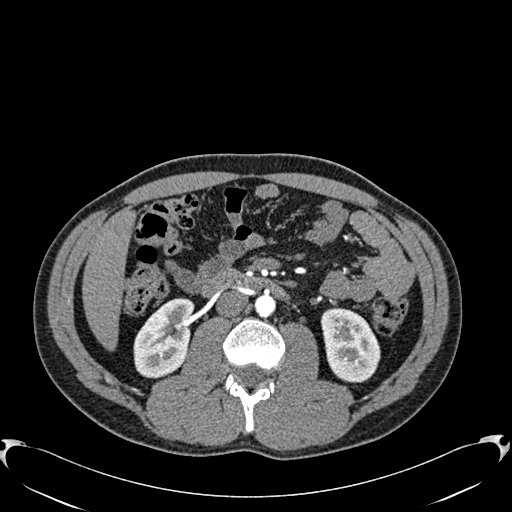
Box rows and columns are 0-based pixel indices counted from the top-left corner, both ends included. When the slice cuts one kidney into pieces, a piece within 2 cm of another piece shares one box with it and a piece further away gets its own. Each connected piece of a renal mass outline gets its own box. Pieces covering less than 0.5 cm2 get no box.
Slice 313/512 of a contrast-enhanced abdominal CT in the arterial phase, counting up from the lowest; pixel size 0.771 mm, slice thickness 1.00 mm. Two kidney boxes on this slice; by box centre, from the image's left to its right: (1) Box rows 298–378, columns 133–194: right kidney (outlined area 3,576 px, about 21.3 cm2). (2) Left kidney, box rows 307–382, columns 321–380 (outlined area 3,430 px, about 20.4 cm2). This slice carries no renal mass outline.
Scan settings: 120 kVp, B30f reconstruction kernel.